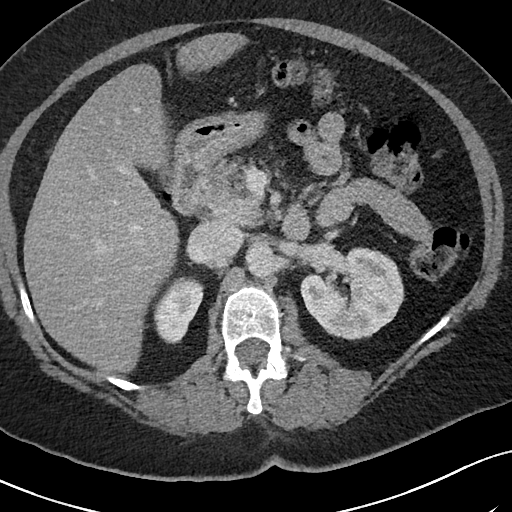
Arterial-phase contrast-enhanced abdominal CT, axial slice 50 of 69 (counted from the lowest slice); tube voltage 120 kVp, convolution kernel I40f; slices 3.00 mm thick, 0.664 mm per pixel.
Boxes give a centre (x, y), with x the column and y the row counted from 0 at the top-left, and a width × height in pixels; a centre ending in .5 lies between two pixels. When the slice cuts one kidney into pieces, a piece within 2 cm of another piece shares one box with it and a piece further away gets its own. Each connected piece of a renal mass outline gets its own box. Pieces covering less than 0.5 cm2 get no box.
Boxed on this slice (two kidney boxes), listed by box centre from the image's left to its right: (1) Right kidney in a box with centre (178.5, 309.5), 52 × 68 pixels (outlined area 2,347 px, about 10.3 cm2). (2) Left kidney, box centre (352, 293.5), 105 × 94 pixels (outlined area 7,000 px, about 30.9 cm2). This slice carries no renal mass outline.